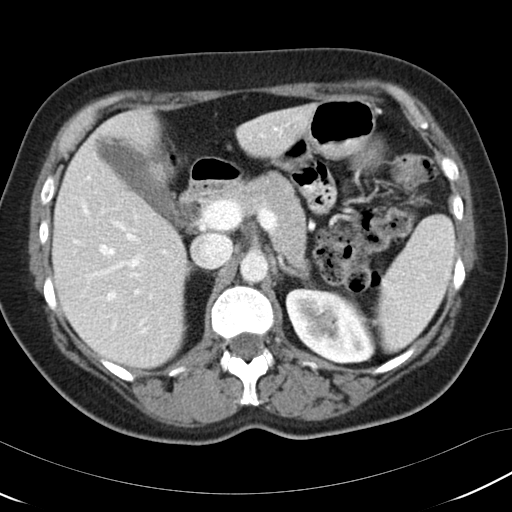
Contrast-enhanced abdominal CT, axial slice 73 of 97 (counted from the lowest slice); tube voltage 120 kVp, convolution kernel B30f; slices 5.00 mm thick, 0.664 mm per pixel.
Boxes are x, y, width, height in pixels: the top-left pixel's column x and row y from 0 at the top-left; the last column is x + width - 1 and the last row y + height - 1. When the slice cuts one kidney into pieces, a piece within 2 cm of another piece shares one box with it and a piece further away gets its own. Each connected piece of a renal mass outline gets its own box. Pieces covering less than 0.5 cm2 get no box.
Box x 285, y 286, width 92, height 79: left kidney (outlined area 5,063 px, about 22.3 cm2). This slice carries no renal mass outline.